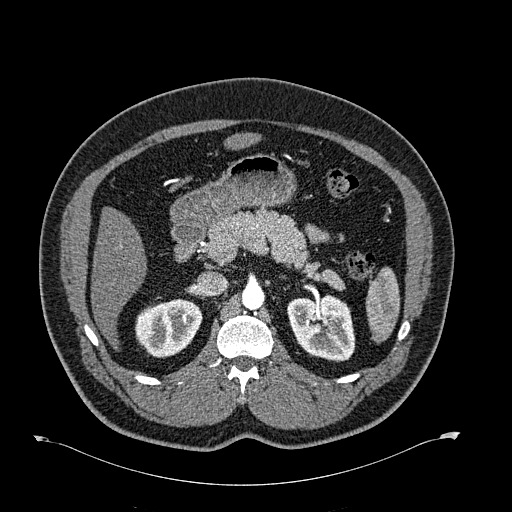
One axial slice (421 of 723, counting up from the lowest) of an arterial-phase abdominal CT acquired with 120 kVp, kernel B30f; each pixel is 0.895 mm and the slice is 1.00 mm thick.
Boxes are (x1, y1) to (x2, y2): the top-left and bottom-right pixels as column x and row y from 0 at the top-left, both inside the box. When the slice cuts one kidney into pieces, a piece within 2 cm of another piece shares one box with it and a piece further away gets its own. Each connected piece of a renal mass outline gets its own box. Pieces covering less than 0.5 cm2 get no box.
Two boxes on this slice (two kidney boxes), listed by box centre from the image's left to its right. (1) Right kidney, box (135, 298) to (202, 357) (outlined area 3,016 px, about 24.1 cm2). (2) Left kidney from (287, 294) to (355, 361) (outlined area 3,617 px, about 28.9 cm2). This slice carries no renal mass outline.